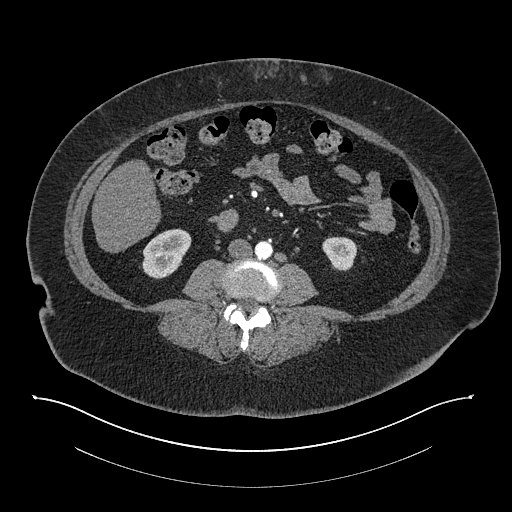
Axial slice 359 of 673 of a contrast-enhanced abdominal CT in the arterial phase (slice 1 is the lowest), 140 kVp, kernel I30f; 1.00 mm slice thickness and 0.957 mm pixels.
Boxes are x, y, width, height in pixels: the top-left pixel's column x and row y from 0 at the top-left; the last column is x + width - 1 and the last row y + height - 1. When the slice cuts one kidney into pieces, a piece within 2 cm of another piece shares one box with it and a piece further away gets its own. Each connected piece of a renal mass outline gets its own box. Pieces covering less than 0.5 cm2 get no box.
Boxed on this slice (two kidney boxes), listed by box centre from the image's left to its right: (1) Box x 142, y 228, width 50, height 51: right kidney (outlined area 1,784 px, about 16.3 cm2). (2) Box x 322, y 236, width 36, height 36: left kidney (outlined area 937 px, about 8.6 cm2). No renal mass is outlined on this slice.